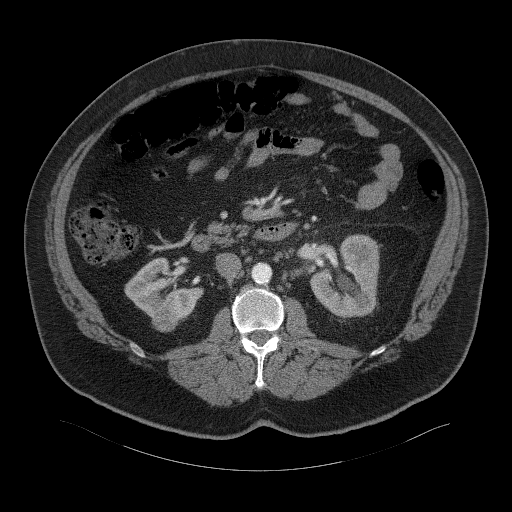
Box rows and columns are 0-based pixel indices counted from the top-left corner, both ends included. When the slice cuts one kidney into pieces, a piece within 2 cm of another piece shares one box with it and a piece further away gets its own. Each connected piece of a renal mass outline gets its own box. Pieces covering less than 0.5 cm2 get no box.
This is axial slice 27 of 94 (slice 1 is the lowest) of an abdominal CT with contrast; each pixel is 0.977 mm and the slice is 3.00 mm thick. Three boxes on this slice (two kidney boxes and one renal mass box), listed by box centre from the image's left to its right. (1) Right kidney, box rows 257–318, columns 124–203 (outlined area 2,836 px, about 27.0 cm2). (2) Box rows 306–331, columns 152–178: right renal mass (outlined area 554 px, about 5.3 cm2). (3) Left kidney at rows 234–318, columns 309–380 (outlined area 4,263 px, about 40.7 cm2).
Scan settings: 120 kVp, B41f reconstruction kernel.